Axial slice 151 of 325 of a contrast-enhanced abdominal CT in the arterial phase (slice 1 is the lowest), 100 kVp, kernel I30f; 1.00 mm slice thickness and 0.703 mm pixels.
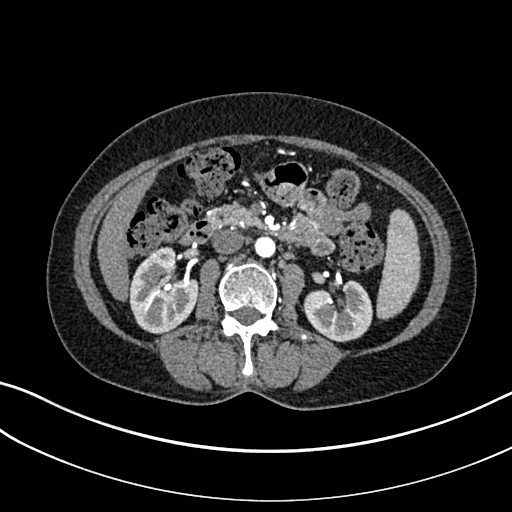
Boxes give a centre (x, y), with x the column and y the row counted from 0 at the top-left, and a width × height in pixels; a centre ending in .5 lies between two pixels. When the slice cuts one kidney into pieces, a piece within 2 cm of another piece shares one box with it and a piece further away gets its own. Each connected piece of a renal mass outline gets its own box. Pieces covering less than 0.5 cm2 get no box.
Boxed on this slice (two kidney boxes), listed by box centre from the image's left to its right: (1) Right kidney, box centre (163, 290), 71 × 89 pixels (outlined area 4,359 px, about 21.6 cm2). (2) Box centre (337, 310.5), 71 × 64 pixels: left kidney (outlined area 3,166 px, about 15.7 cm2). No renal mass outline on this slice.